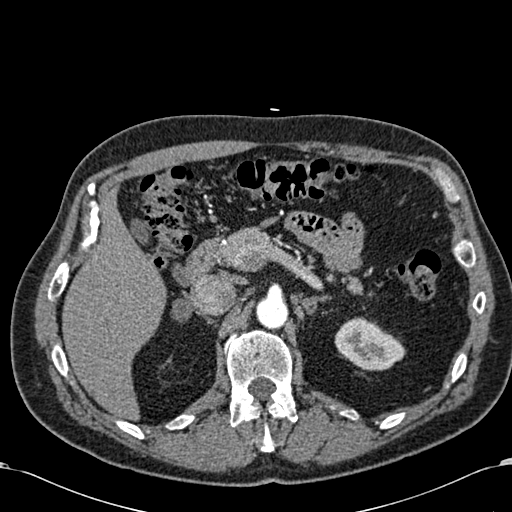
Arterial-phase contrast-enhanced abdominal CT, axial slice 426 of 581 (counted from the lowest slice); tube voltage 120 kVp, convolution kernel B30f; slices 1.00 mm thick, 0.713 mm per pixel.
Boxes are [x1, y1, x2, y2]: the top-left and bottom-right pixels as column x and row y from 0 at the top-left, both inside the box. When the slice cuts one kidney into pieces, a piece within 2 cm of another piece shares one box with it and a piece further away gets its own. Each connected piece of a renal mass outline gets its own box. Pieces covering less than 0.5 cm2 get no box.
Left kidney at [334, 317, 405, 370] (outlined area 2,639 px, about 13.4 cm2). No renal mass outline on this slice.